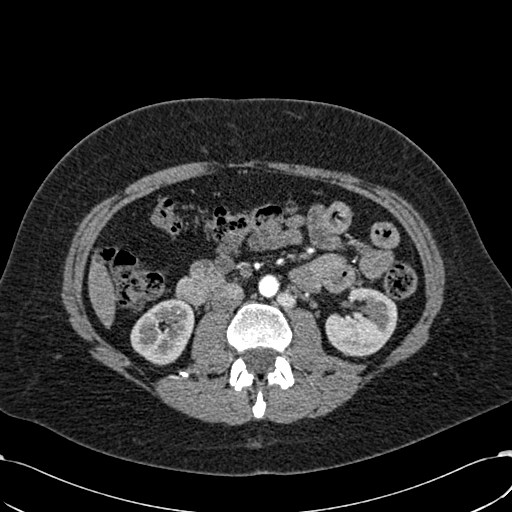
Axial slice 313 of 532 of a contrast-enhanced abdominal CT in the arterial phase (slice 1 is the lowest), 120 kVp, kernel B30f; 1.00 mm slice thickness and 0.713 mm pixels.
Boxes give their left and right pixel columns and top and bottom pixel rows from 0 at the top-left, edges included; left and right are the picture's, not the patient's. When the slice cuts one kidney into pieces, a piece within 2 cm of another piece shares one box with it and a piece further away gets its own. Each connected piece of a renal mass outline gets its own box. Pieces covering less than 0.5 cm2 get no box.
Two boxes on this slice (two kidney boxes), listed by box centre from the image's left to its right. (1) Box with left 130, top 298, right 194, bottom 365: right kidney (outlined area 3,133 px, about 15.9 cm2). (2) Left kidney, the box with left 325, top 286, right 397, bottom 357 (outlined area 3,647 px, about 18.5 cm2). No renal mass is outlined on this slice.